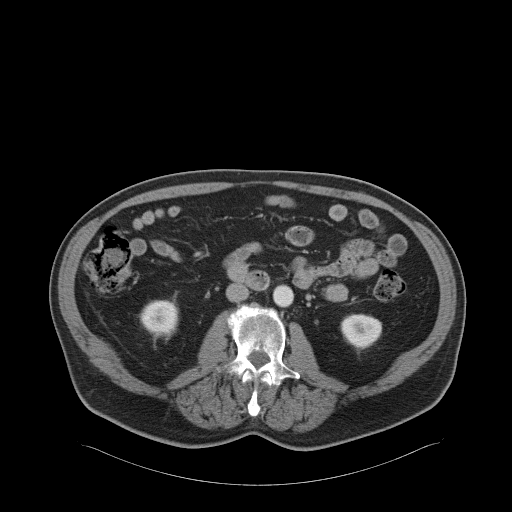
Axial slice 20 of 68 of a contrast-enhanced abdominal CT in the arterial phase (slice 1 is the lowest), 120 kVp, kernel B31f; 5.00 mm slice thickness and 0.961 mm pixels.
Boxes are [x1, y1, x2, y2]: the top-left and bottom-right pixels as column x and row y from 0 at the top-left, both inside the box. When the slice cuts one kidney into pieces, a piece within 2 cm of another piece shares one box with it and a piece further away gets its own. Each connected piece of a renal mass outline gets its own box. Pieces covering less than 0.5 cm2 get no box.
Boxed on this slice (two kidney boxes), listed by box centre from the image's left to its right: (1) Right kidney, box [138, 300, 178, 335] (outlined area 1,161 px, about 10.7 cm2). (2) Left kidney, box [340, 313, 382, 347] (outlined area 1,162 px, about 10.7 cm2). This slice carries no renal mass outline.